One axial slice (47 of 76, counting up from the lowest) of a contrast-enhanced abdominal CT acquired with 120 kVp, kernel STANDARD; each pixel is 0.586 mm and the slice is 2.50 mm thick.
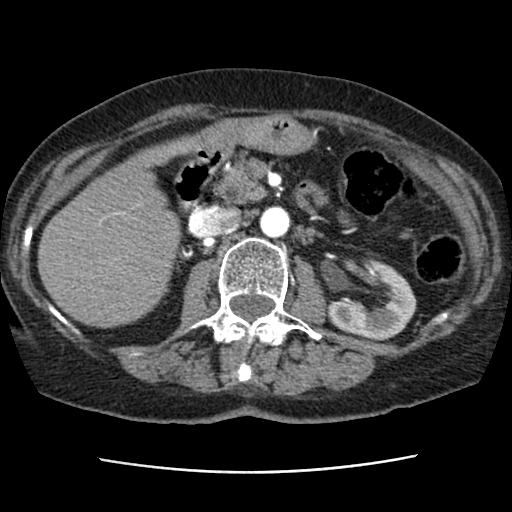
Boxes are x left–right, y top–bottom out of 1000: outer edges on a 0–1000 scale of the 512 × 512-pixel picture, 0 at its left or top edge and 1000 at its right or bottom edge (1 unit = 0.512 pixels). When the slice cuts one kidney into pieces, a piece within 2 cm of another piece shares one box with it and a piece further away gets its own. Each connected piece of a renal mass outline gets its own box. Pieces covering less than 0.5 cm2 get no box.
Box x 639–814, y 504–664 out of 1000: left kidney (outlined area 4,363 px, about 15.0 cm2). This slice carries no renal mass outline.